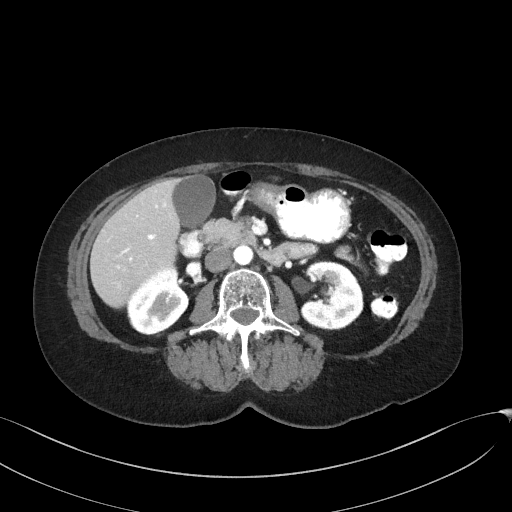
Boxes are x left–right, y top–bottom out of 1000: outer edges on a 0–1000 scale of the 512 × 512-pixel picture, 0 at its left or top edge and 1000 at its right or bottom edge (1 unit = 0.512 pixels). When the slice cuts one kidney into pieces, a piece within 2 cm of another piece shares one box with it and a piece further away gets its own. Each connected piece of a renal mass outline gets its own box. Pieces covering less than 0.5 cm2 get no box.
This is axial slice 86 of 129 (slice 1 is the lowest) of an arterial-phase abdominal CT with contrast; each pixel is 0.779 mm and the slice is 3.00 mm thick. Two kidney boxes on this slice; by box centre, from the image's left to its right: (1) Right kidney at x 248–371, y 521–656 out of 1000 (outlined area 2,922 px, about 17.7 cm2). (2) Left kidney at x 586–711, y 508–646 out of 1000 (outlined area 3,400 px, about 20.6 cm2). This slice carries no renal mass outline.
Scan settings: 100 kVp, I41f reconstruction kernel.